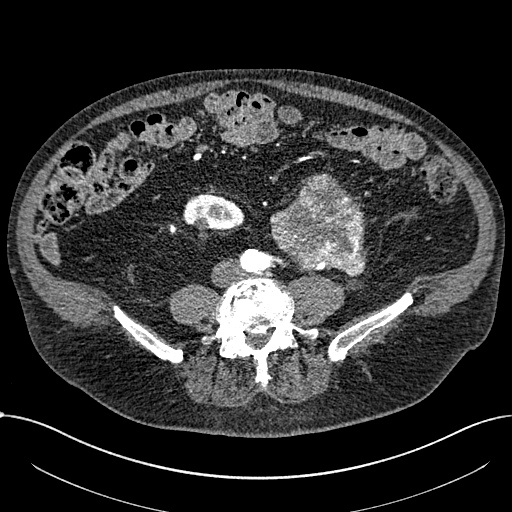
Arterial-phase contrast-enhanced abdominal CT, axial slice 218 of 1059 (counted from the lowest slice); tube voltage 100 kVp, convolution kernel I30f; slices 1.00 mm thick, 0.811 mm per pixel.
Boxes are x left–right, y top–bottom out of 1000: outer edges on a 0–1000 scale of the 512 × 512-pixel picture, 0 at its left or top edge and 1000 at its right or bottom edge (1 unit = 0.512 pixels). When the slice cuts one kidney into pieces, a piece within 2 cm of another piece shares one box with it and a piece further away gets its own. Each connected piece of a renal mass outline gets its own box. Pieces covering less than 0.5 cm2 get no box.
Boxed on this slice (one kidney box and one renal mass box), listed by box centre from the image's left to its right: (1) Right part of the midline-crossing kidney at x 355–479, y 377–469 out of 1000 (outlined area 1,822 px, about 12.0 cm2). (2) Renal mass at x 527–717, y 338–541 out of 1000 (outlined area 6,987 px, about 45.9 cm2); on this slice it lies more than 1 cm from any kidney outline, but the same outlined renal mass comes within 1 cm of the kidney on another slice.